One axial slice (67 of 90, counting up from the lowest) of a contrast-enhanced abdominal CT acquired with 120 kVp, kernel B41f; each pixel is 0.781 mm and the slice is 5.00 mm thick.
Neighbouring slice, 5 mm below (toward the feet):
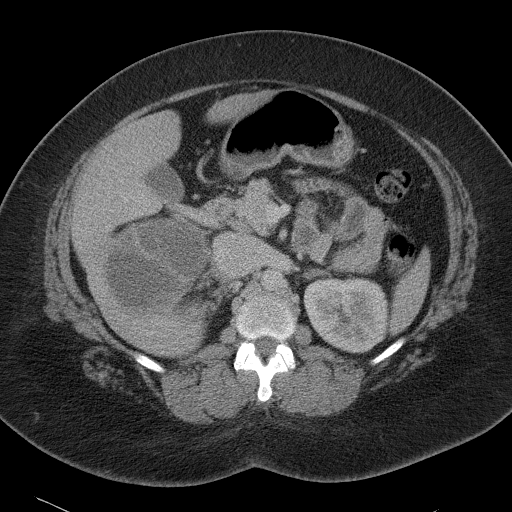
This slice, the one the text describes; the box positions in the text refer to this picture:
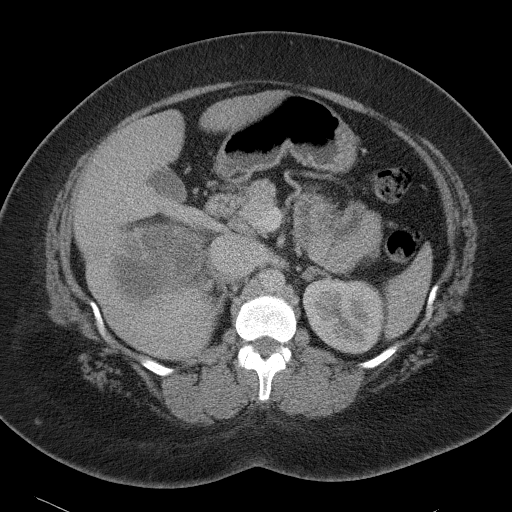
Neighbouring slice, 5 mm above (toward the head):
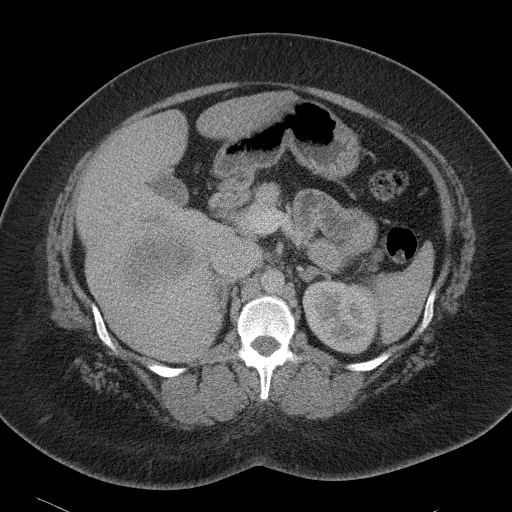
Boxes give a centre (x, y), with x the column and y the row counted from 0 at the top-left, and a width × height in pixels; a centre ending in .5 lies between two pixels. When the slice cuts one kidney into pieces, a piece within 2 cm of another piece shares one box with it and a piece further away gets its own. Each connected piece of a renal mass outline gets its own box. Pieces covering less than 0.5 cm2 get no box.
One kidney box and one renal mass box on this slice; by box centre, from the image's left to its right: (1) Right renal mass in a box with centre (158, 257.5), 97 × 70 pixels (outlined area 5,392 px, about 32.9 cm2); on this slice it lies more than 1 cm from any kidney outline, but the same outlined renal mass comes within 1 cm of the kidney on another slice. (2) Left kidney, box centre (343, 316), 83 × 77 pixels (outlined area 4,977 px, about 30.4 cm2). This slice is near the end of the right renal mass toward the head, so the slices 5 mm below and 5 mm above it are shown as well; the boxes refer to this slice only.